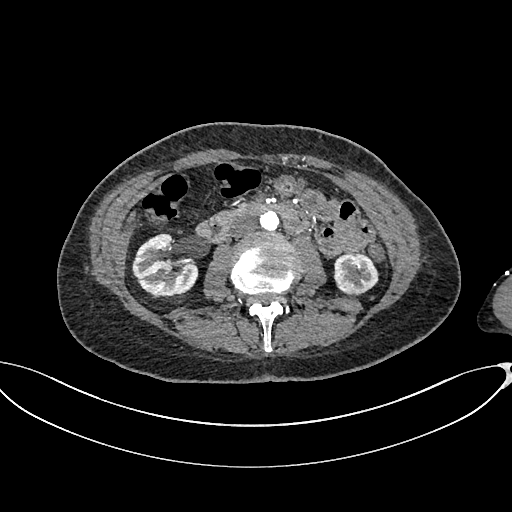
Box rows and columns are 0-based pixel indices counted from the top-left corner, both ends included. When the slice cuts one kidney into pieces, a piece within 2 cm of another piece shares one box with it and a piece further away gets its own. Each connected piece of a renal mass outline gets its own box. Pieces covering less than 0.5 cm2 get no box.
This is axial slice 341 of 665 (slice 1 is the lowest) of an arterial-phase abdominal CT with contrast; each pixel is 0.828 mm and the slice is 1.00 mm thick. Two kidney boxes on this slice; by box centre, from the image's left to its right: (1) Right kidney, box rows 233–298, columns 132–198 (outlined area 3,109 px, about 21.3 cm2). (2) Left kidney at rows 253–295, columns 333–379 (outlined area 1,537 px, about 10.5 cm2). No renal mass outline on this slice.
Acquired at 100 kVp and reconstructed with the I26f kernel.